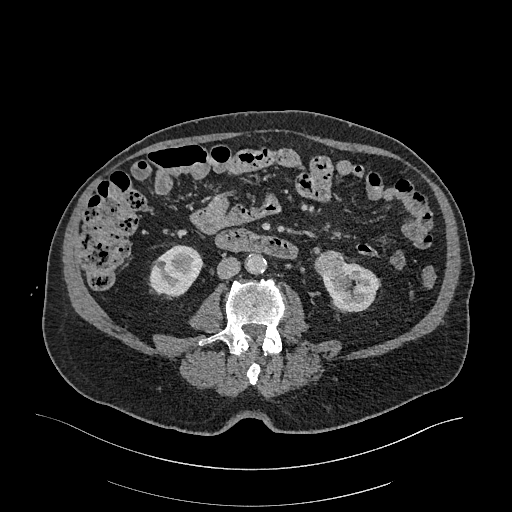
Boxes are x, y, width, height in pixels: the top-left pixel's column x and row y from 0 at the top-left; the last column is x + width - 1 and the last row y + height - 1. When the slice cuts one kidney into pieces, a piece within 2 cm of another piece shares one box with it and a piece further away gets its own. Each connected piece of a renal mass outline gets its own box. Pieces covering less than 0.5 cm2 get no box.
Arterial-phase contrast-enhanced abdominal CT, axial slice 95 of 470 (counted from the lowest slice); 1.00 mm thick, 0.938 mm per pixel. Two kidney boxes and one renal mass box on this slice; by box centre, from the image's left to its right: (1) Right kidney, box x 148, y 244, width 57, height 53 (outlined area 2,091 px, about 18.4 cm2). (2) Left renal mass at x 314, y 250, width 31, height 30 (outlined area 715 px, about 6.3 cm2). (3) Box x 321, y 261, width 58, height 52: left kidney (outlined area 1,943 px, about 17.1 cm2).
Acquired at 120 kVp and reconstructed with the I26f kernel.